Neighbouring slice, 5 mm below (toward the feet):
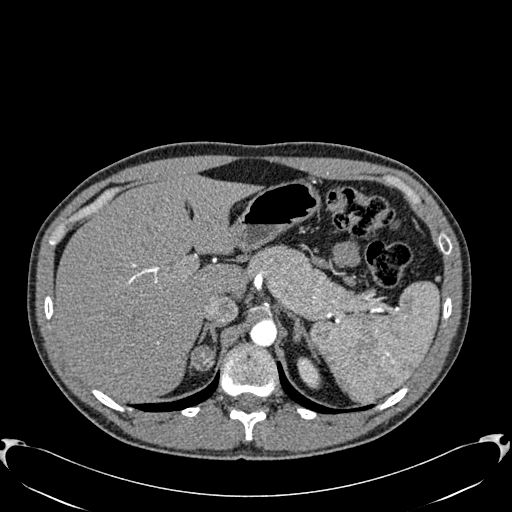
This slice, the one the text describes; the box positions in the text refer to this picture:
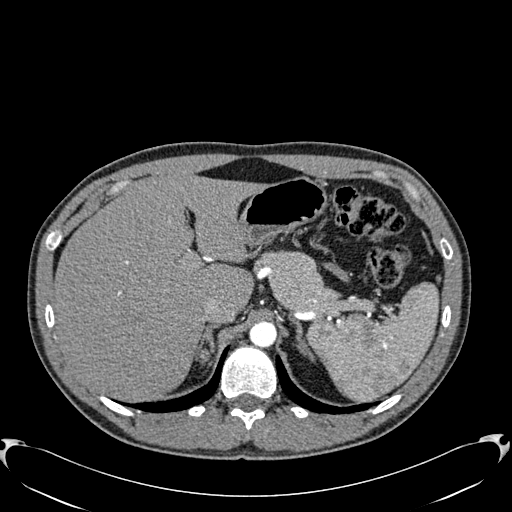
One axial slice (467 of 512, counting up from the lowest) of an arterial-phase abdominal CT acquired with 120 kVp, kernel B30f; each pixel is 0.771 mm and the slice is 1.00 mm thick.
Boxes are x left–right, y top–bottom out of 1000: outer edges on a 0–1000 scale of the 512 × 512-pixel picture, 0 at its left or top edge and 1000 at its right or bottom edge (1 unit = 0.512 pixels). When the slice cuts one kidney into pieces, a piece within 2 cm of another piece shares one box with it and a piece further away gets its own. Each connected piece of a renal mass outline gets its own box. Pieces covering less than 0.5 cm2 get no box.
Box x 389–412, y 680–709 out of 1000: right renal mass (outlined area 143 px, about 0.9 cm2); no kidney outline appears on this slice, but the same outlined renal mass comes within 1 cm of the kidney on another slice. This slice is near the end of the right renal mass toward the head, so the slice 5 mm below it is shown as well; the boxes refer to this slice only.